Axial slice 408 of 673 of a contrast-enhanced abdominal CT in the arterial phase (slice 1 is the lowest), 120 kVp, kernel I30f; 1.00 mm slice thickness and 0.855 mm pixels.
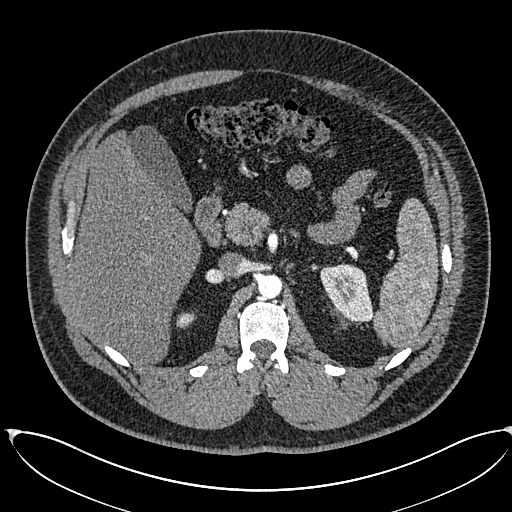
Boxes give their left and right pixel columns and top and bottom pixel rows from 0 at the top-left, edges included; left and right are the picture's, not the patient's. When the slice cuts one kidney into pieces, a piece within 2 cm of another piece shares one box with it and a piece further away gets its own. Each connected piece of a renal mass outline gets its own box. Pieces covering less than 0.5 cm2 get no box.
Boxed on this slice (two kidney boxes), listed by box centre from the image's left to its right: (1) Box with left 177, top 312, right 195, bottom 327: right kidney (outlined area 229 px, about 1.7 cm2). (2) Left kidney in the box with left 320, top 264, right 373, bottom 321 (outlined area 2,234 px, about 16.3 cm2). No renal mass is outlined on this slice.